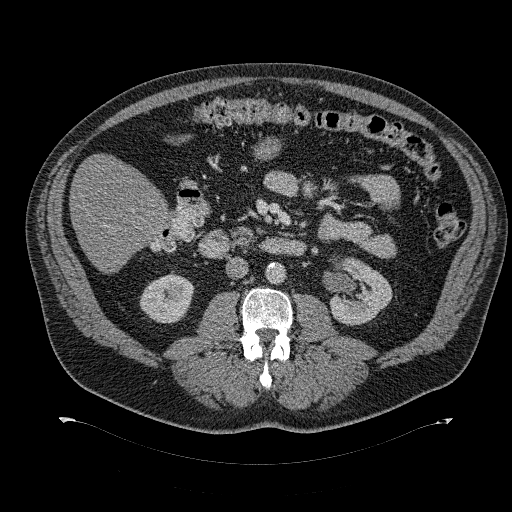
One axial slice (170 of 274, counting up from the lowest) of a contrast-enhanced abdominal CT acquired with 120 kVp, kernel B31f; each pixel is 0.977 mm and the slice is 2.00 mm thick.
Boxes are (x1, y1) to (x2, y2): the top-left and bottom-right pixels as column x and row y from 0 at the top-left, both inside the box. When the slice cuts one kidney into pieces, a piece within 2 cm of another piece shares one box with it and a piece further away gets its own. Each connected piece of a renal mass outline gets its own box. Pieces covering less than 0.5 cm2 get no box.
Two boxes on this slice (two kidney boxes), listed by box centre from the image's left to its right. (1) Right kidney, box (139, 270) to (194, 323) (outlined area 2,071 px, about 19.8 cm2). (2) Left kidney, box (329, 257) to (392, 325) (outlined area 3,009 px, about 28.7 cm2). This slice carries no renal mass outline.